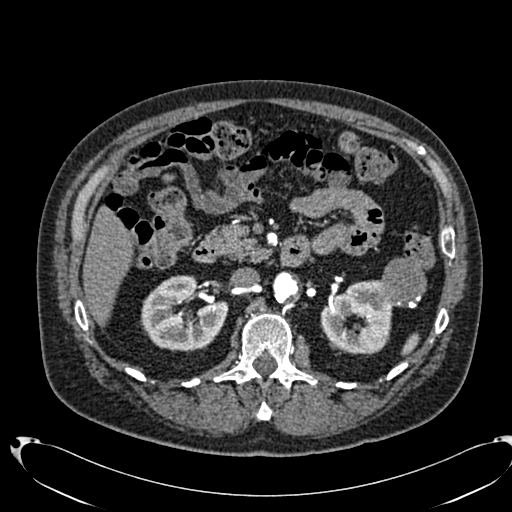
One axial slice (437 of 553, counting up from the lowest) of an arterial-phase abdominal CT acquired with 120 kVp, kernel B20f; each pixel is 0.773 mm and the slice is 1.00 mm thick.
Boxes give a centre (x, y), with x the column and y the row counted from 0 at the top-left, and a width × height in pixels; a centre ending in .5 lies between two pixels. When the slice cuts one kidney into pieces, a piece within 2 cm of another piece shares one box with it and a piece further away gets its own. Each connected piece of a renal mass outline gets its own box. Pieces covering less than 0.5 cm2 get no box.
Boxed on this slice (two kidney boxes and one renal mass box), listed by box centre from the image's left to its right: (1) Right kidney in a box with centre (184.5, 313), 88 × 77 pixels (outlined area 4,806 px, about 28.7 cm2). (2) Left kidney, box centre (356.5, 317), 74 × 75 pixels (outlined area 3,838 px, about 23.0 cm2). (3) Left renal mass in a box with centre (402.5, 283), 48 × 51 pixels (outlined area 1,881 px, about 11.3 cm2).